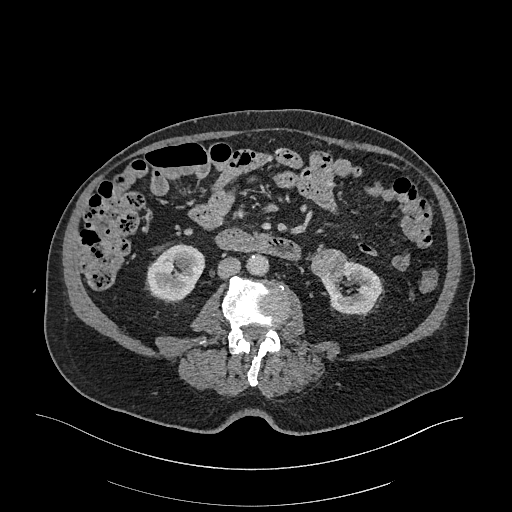
One axial slice (104 of 470, counting up from the lowest) of an arterial-phase abdominal CT acquired with 120 kVp, kernel I26f; each pixel is 0.938 mm and the slice is 1.00 mm thick.
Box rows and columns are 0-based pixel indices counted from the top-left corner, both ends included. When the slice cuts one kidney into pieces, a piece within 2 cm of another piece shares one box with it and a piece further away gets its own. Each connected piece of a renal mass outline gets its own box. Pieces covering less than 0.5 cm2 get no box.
Boxed on this slice (two kidney boxes and one renal mass box), listed by box centre from the image's left to its right: (1) Box rows 244–303, columns 146–205: right kidney (outlined area 2,536 px, about 22.3 cm2). (2) Left renal mass, box rows 249–280, columns 310–346 (outlined area 905 px, about 8.0 cm2). (3) Box rows 260–316, columns 320–382: left kidney (outlined area 2,163 px, about 19.0 cm2).